Abdominal CT with intravenous contrast, arterial phase, axial plane, 100 kVp, kernel I30f. Slice 302/1059 from the bottom of the scan; thickness 1.00 mm; pixel size 0.811 mm.
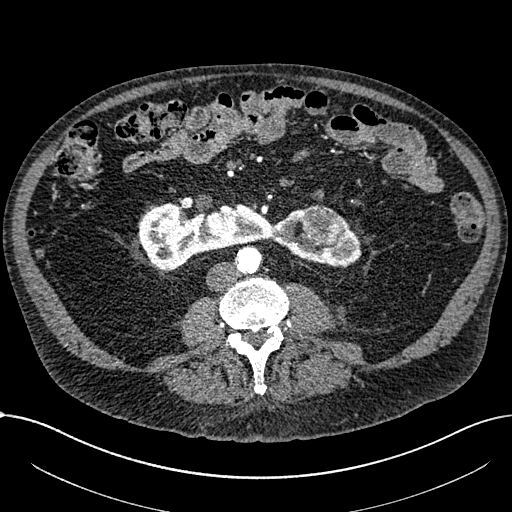
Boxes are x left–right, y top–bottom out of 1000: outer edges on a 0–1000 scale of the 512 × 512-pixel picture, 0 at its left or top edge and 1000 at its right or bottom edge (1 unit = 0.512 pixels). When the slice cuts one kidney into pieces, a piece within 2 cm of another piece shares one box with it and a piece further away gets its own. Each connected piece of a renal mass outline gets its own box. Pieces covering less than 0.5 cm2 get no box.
Two boxes on this slice (one kidney box and one renal mass box), listed by box centre from the image's left to its right. (1) Box x 271–707, y 395–527 out of 1000: kidney crossing the body midline (outlined area 8,557 px, about 56.2 cm2). (2) Renal mass at x 588–678, y 398–482 out of 1000 (outlined area 1,457 px, about 9.6 cm2).